Axial slice 90 of 512 of a contrast-enhanced abdominal CT in the arterial phase (slice 1 is the lowest), 120 kVp, kernel B30f; 1.00 mm slice thickness and 0.771 mm pixels.
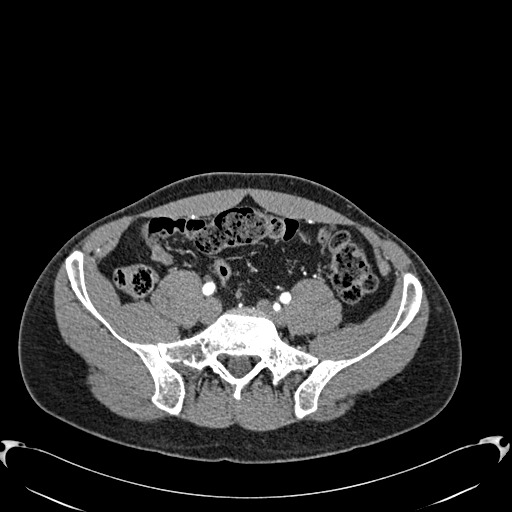
This slice carries no outline: it lies beyond the outlined kidneys and beyond every outlined renal mass. Other organs are not outlined in this scan.